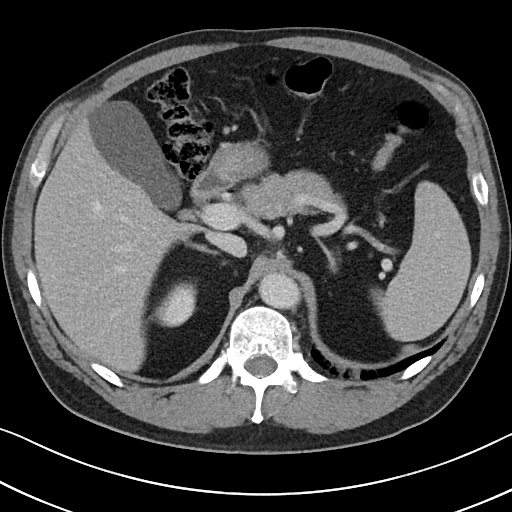
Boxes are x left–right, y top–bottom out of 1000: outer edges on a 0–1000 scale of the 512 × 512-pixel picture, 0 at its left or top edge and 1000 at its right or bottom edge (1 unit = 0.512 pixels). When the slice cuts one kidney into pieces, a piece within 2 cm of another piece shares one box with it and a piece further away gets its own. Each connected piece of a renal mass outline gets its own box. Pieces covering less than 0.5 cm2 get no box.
Slice 76/101 of a contrast-enhanced abdominal CT, counting up from the lowest; pixel size 0.684 mm, slice thickness 5.00 mm. Right kidney at x 293–387, y 549–641 out of 1000 (outlined area 1,395 px, about 6.5 cm2). No renal mass outline on this slice.
Tube voltage 100 kVp; convolution kernel I40f.